One axial slice (78 of 142, counting up from the lowest) of a contrast-enhanced abdominal CT acquired with 100 kVp, kernel I30f; each pixel is 0.855 mm and the slice is 5.00 mm thick.
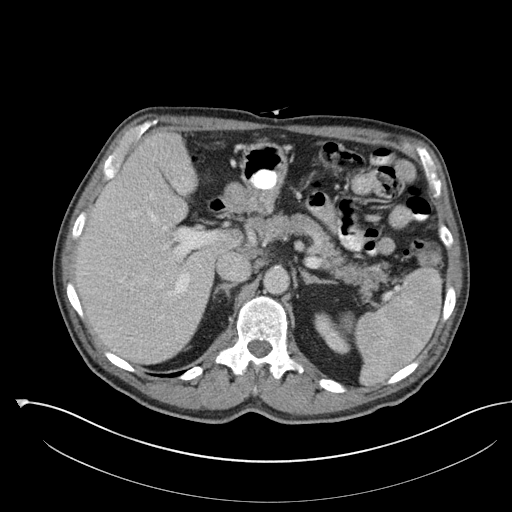
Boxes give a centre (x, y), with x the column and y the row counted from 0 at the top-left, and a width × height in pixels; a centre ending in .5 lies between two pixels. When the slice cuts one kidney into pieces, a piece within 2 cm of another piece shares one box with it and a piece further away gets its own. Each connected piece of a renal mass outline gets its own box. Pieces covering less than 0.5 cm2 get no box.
Left kidney, box centre (332, 333), 37 × 43 pixels (outlined area 894 px, about 6.5 cm2). No renal mass outline on this slice.